Axial slice 255 of 512 of a contrast-enhanced abdominal CT in the arterial phase (slice 1 is the lowest), 120 kVp, kernel B30f; 1.00 mm slice thickness and 0.771 mm pixels.
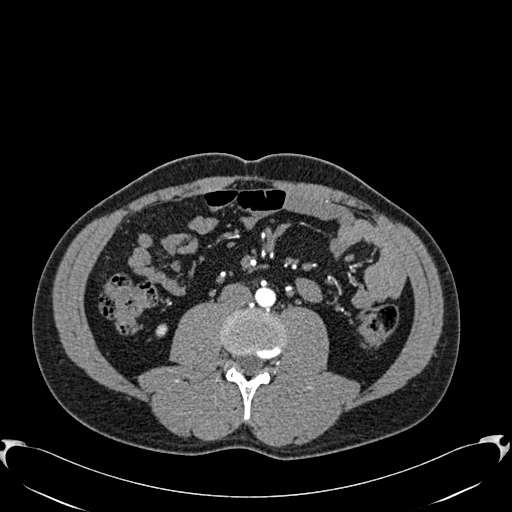
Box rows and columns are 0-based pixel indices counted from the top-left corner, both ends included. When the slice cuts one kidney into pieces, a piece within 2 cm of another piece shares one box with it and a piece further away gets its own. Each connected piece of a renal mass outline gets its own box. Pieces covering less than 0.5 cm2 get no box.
Box rows 324–335, columns 157–166: right kidney (outlined area 93 px, about 0.6 cm2). No renal mass is outlined on this slice.